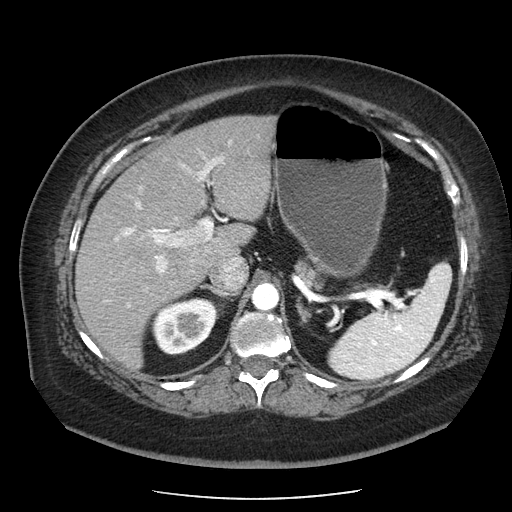
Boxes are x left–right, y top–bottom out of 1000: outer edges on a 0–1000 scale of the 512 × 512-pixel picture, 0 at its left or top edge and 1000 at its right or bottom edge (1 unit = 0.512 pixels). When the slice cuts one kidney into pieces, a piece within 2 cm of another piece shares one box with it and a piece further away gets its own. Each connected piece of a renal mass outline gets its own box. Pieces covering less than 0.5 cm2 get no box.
Arterial-phase contrast-enhanced abdominal CT, axial slice 145 of 186 (counted from the lowest slice); 2.50 mm thick, 0.742 mm per pixel. Box x 295–432, y 580–695 out of 1000: right kidney (outlined area 2,911 px, about 16.0 cm2). This slice carries no renal mass outline.
Tube voltage 120 kVp; convolution kernel STANDARD.